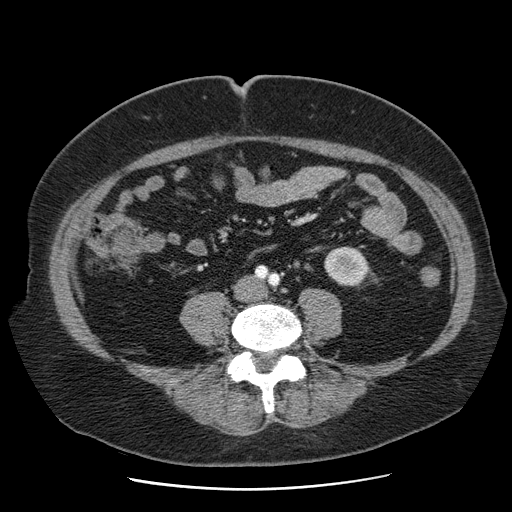
Axial slice 11 of 103 of a contrast-enhanced abdominal CT (slice 1 is the lowest), 120 kVp, kernel STANDARD; 2.50 mm slice thickness and 0.736 mm pixels.
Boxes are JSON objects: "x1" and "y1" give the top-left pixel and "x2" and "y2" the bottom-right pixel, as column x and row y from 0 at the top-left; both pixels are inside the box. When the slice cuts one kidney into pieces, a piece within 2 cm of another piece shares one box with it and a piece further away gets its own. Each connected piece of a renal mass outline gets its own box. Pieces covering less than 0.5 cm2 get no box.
Left kidney at {"x1": 324, "y1": 246, "x2": 368, "y2": 286} (outlined area 1,434 px, about 7.8 cm2). No renal mass is outlined on this slice.